One axial slice (60 of 131, counting up from the lowest) of an arterial-phase abdominal CT acquired with 120 kVp, kernel B41f; each pixel is 0.760 mm and the slice is 5.00 mm thick.
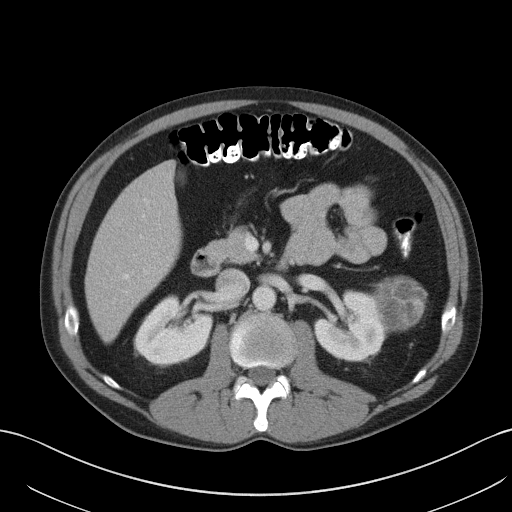
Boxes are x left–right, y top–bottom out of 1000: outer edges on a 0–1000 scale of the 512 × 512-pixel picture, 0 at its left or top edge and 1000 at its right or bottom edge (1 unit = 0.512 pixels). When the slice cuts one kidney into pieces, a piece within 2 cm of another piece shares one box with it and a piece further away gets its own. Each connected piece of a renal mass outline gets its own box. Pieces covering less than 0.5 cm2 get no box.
Boxed on this slice (two kidney boxes and one renal mass box), listed by box centre from the image's left to its right: (1) Right kidney at x 262–416, y 578–717 out of 1000 (outlined area 3,950 px, about 22.8 cm2). (2) Left kidney, box x 611–758, y 566–707 out of 1000 (outlined area 3,622 px, about 20.9 cm2). (3) Left renal mass, box x 727–832, y 541–650 out of 1000 (outlined area 2,283 px, about 13.2 cm2).